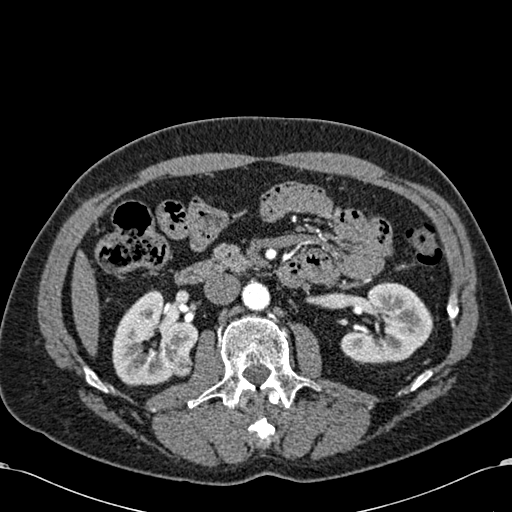
Abdominal CT with intravenous contrast, arterial phase, axial plane, 120 kVp, kernel B30f. Slice 345/581 from the bottom of the scan; thickness 1.00 mm; pixel size 0.713 mm.
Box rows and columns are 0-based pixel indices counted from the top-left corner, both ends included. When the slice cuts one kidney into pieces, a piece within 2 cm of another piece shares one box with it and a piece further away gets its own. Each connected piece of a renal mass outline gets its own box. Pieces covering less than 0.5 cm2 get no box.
Boxed on this slice (two kidney boxes and one renal mass box), listed by box centre from the image's left to its right: (1) Box rows 289–386, columns 112–198: right kidney (outlined area 5,456 px, about 27.7 cm2). (2) Right renal mass at rows 352–376, columns 169–193 (outlined area 481 px, about 2.4 cm2). (3) Left kidney at rows 282–363, columns 340–433 (outlined area 5,168 px, about 26.3 cm2).